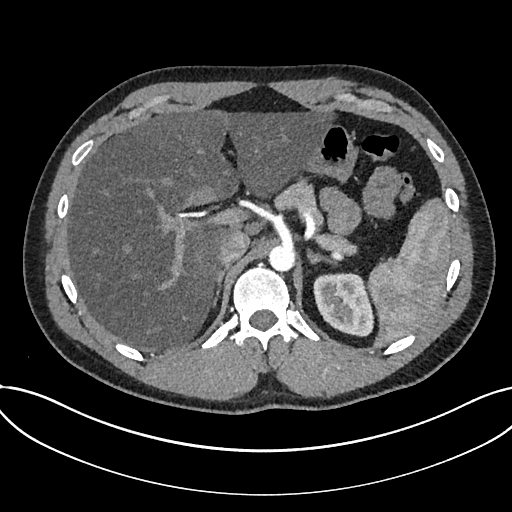
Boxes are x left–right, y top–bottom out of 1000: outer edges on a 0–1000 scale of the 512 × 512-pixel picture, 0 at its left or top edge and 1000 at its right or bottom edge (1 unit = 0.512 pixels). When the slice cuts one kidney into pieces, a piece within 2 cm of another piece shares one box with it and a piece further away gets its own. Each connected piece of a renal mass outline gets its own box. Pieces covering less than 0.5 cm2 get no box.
This is axial slice 550 of 735 (slice 1 is the lowest) of an arterial-phase abdominal CT with contrast; each pixel is 0.789 mm and the slice is 1.00 mm thick. Kidney at x 611–732, y 531–658 out of 1000 (outlined area 3,031 px, about 18.9 cm2). No renal mass outline on this slice.
Scan settings: 120 kVp, I30f reconstruction kernel.